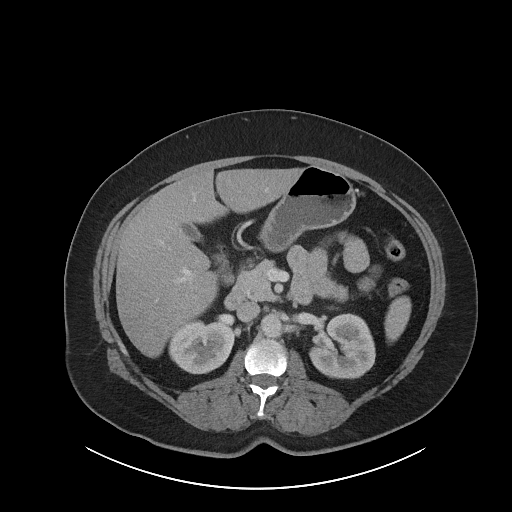
Arterial-phase contrast-enhanced abdominal CT, axial slice 57 of 86 (counted from the lowest slice); tube voltage 120 kVp, convolution kernel I40f; slices 5.00 mm thick, 0.977 mm per pixel.
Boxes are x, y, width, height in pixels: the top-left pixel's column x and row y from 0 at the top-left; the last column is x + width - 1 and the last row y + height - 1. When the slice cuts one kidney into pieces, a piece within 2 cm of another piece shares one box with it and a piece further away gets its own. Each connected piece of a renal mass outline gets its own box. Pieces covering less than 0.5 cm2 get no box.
Two kidney boxes on this slice; by box centre, from the image's left to its right: (1) Box x 168, y 318, width 67, height 57: right kidney (outlined area 2,802 px, about 26.7 cm2). (2) Left kidney at x 309, y 313, width 67, height 66 (outlined area 3,324 px, about 31.7 cm2). No renal mass outline on this slice.